Arterial-phase contrast-enhanced abdominal CT, axial slice 424 of 705 (counted from the lowest slice); tube voltage 120 kVp, convolution kernel I30f; slices 1.00 mm thick, 0.703 mm per pixel.
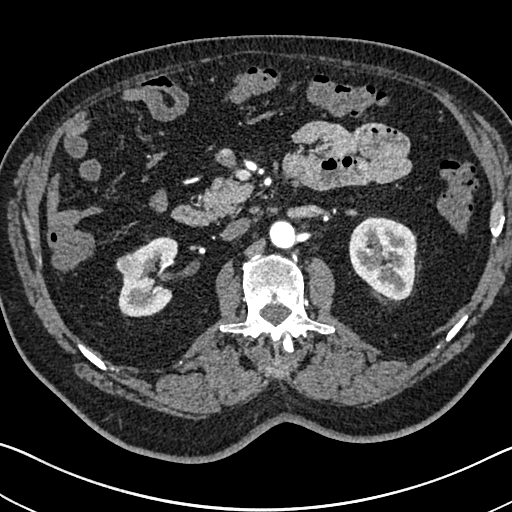
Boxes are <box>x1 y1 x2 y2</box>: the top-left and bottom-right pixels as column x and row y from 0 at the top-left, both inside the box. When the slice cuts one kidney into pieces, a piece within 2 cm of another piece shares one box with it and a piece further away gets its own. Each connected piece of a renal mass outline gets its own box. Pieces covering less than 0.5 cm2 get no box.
Boxed on this slice (two kidney boxes and one renal mass box), listed by box centre from the image's left to its right: (1) Right renal mass at <box>116 253 141 278</box> (outlined area 488 px, about 2.4 cm2). (2) Right kidney: <box>118 236 177 317</box> (outlined area 3,157 px, about 15.6 cm2). (3) Left kidney at <box>349 216 417 301</box> (outlined area 4,487 px, about 22.2 cm2).